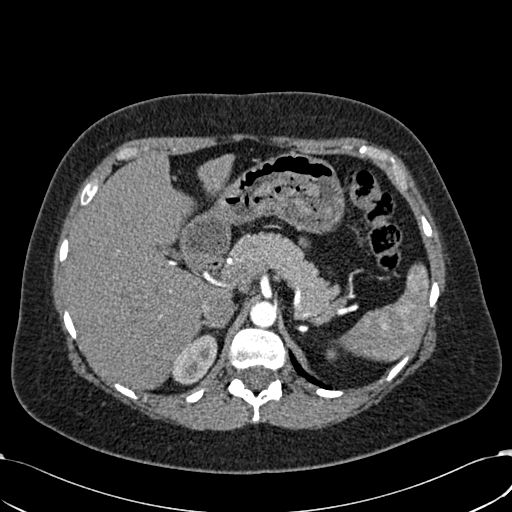
Arterial-phase contrast-enhanced abdominal CT, axial slice 450 of 532 (counted from the lowest slice); tube voltage 120 kVp, convolution kernel B30f; slices 1.00 mm thick, 0.713 mm per pixel.
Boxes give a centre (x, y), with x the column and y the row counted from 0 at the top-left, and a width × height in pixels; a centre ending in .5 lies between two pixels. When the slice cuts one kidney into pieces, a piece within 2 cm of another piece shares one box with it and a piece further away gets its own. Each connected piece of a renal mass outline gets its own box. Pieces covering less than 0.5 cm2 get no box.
Right kidney, box centre (194, 359), 47 × 51 pixels (outlined area 1,609 px, about 8.2 cm2). No renal mass is outlined on this slice.